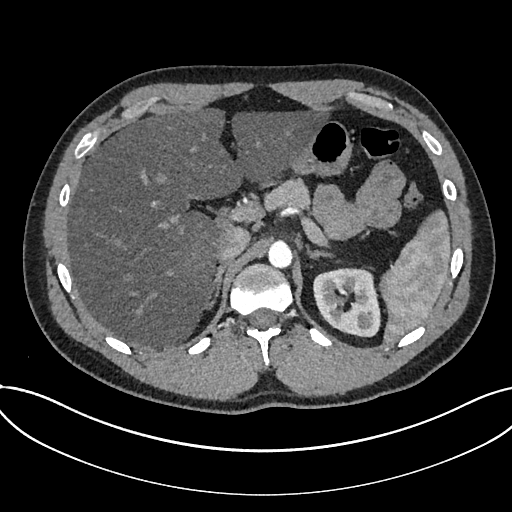
One axial slice (535 of 735, counting up from the lowest) of an arterial-phase abdominal CT acquired with 120 kVp, kernel I30f; each pixel is 0.789 mm and the slice is 1.00 mm thick.
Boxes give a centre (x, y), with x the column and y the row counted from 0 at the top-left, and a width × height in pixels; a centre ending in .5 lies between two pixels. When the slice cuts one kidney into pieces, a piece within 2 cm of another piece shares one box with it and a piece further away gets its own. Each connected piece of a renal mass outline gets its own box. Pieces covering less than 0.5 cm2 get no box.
Box centre (347, 302.5), 69 × 70 pixels: kidney (outlined area 3,696 px, about 23.0 cm2). This slice carries no renal mass outline.